Axial slice 384 of 834 of a contrast-enhanced abdominal CT (slice 1 is the lowest), 140 kVp, kernel I30f; 1.00 mm slice thickness and 0.977 mm pixels.
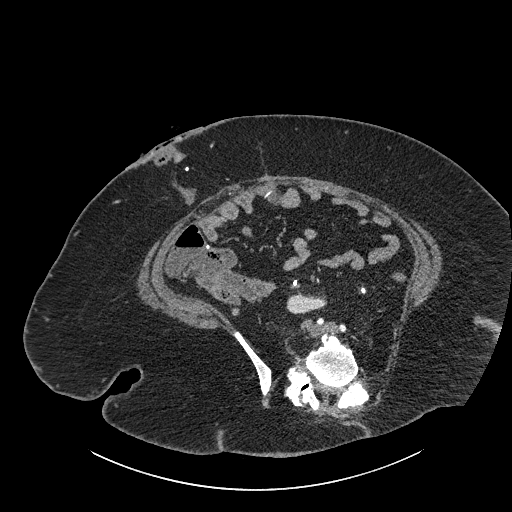
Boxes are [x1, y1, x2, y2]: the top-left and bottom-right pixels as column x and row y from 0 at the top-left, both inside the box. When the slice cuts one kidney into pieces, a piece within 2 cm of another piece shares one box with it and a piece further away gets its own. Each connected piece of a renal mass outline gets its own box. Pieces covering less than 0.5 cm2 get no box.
Right part of the midline-crossing kidney, box [286, 293, 327, 314] (outlined area 665 px, about 6.3 cm2). No renal mass is outlined on this slice.